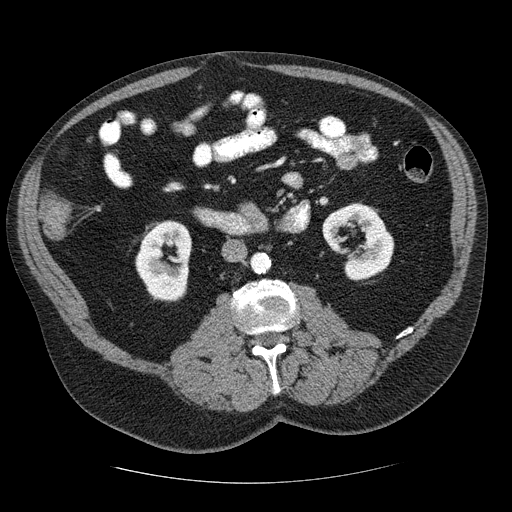
Contrast-enhanced abdominal CT, axial slice 119 of 206 (counted from the lowest slice); tube voltage 120 kVp, convolution kernel STANDARD; slices 2.50 mm thick, 0.879 mm per pixel.
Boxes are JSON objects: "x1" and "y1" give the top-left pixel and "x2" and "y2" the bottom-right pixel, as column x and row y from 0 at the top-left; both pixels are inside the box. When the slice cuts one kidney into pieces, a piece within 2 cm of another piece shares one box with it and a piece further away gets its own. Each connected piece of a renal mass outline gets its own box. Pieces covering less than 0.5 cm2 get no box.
Two kidney boxes on this slice; by box centre, from the image's left to its right: (1) Right kidney at {"x1": 135, "y1": 220, "x2": 192, "y2": 302} (outlined area 3,564 px, about 27.5 cm2). (2) Left kidney, box {"x1": 322, "y1": 202, "x2": 394, "y2": 281} (outlined area 3,673 px, about 28.4 cm2). No renal mass outline on this slice.